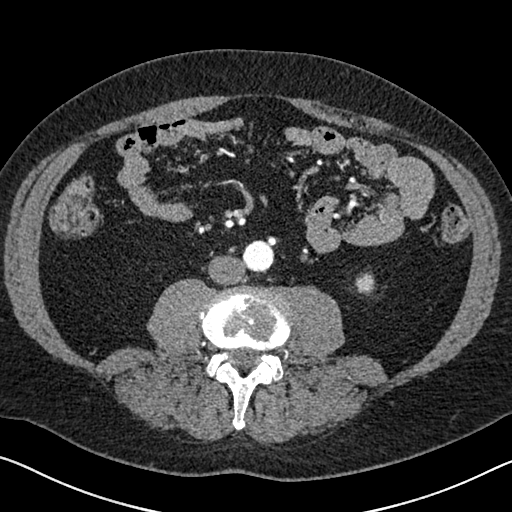
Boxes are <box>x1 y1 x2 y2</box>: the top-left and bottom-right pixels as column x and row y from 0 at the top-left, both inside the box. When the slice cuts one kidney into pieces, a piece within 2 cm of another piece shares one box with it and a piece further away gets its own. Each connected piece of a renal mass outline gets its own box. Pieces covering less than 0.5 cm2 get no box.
This is axial slice 278 of 626 (slice 1 is the lowest) of an arterial-phase abdominal CT with contrast; each pixel is 0.703 mm and the slice is 1.00 mm thick. Left kidney at <box>355 272 375 295</box> (outlined area 377 px, about 1.9 cm2). No renal mass outline on this slice.
Tube voltage 120 kVp; convolution kernel I30f.